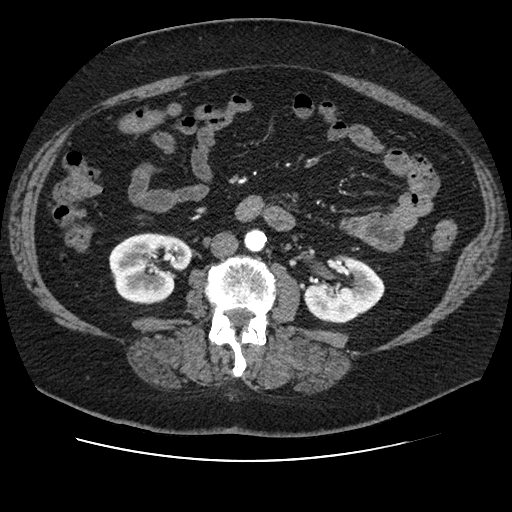
Arterial-phase contrast-enhanced abdominal CT, axial slice 39 of 106 (counted from the lowest slice); tube voltage 120 kVp, convolution kernel STANDARD; slices 2.50 mm thick, 0.742 mm per pixel.
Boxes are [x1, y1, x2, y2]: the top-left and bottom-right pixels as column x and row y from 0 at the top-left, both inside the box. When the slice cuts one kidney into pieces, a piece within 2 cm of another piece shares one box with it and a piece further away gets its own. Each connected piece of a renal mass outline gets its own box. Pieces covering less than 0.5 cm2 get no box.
Two kidney boxes on this slice; by box centre, from the image's left to its right: (1) Right kidney at [109, 232, 191, 304] (outlined area 4,426 px, about 24.4 cm2). (2) Box [303, 256, 384, 323]: left kidney (outlined area 3,743 px, about 20.6 cm2). No renal mass is outlined on this slice.